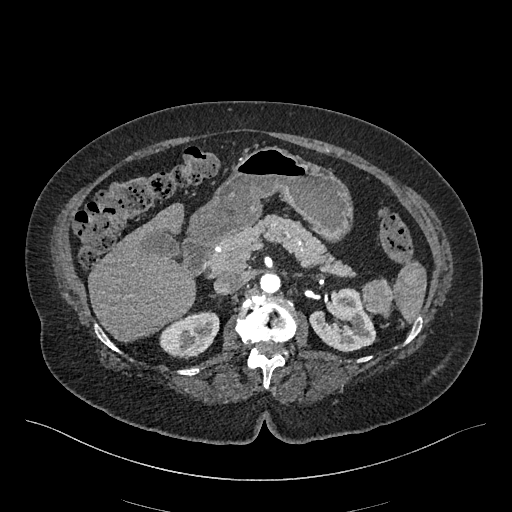
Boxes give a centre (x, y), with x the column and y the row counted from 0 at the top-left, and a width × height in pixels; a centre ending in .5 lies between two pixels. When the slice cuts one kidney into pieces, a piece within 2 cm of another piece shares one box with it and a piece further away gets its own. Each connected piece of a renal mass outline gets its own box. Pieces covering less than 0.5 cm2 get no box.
Slice 293/548 of a contrast-enhanced abdominal CT in the arterial phase, counting up from the lowest; pixel size 0.852 mm, slice thickness 1.00 mm. Boxed on this slice (two kidney boxes and one renal mass box), listed by box centre from the image's left to its right: (1) Right kidney, box centre (189, 334.5), 61 × 50 pixels (outlined area 2,082 px, about 15.1 cm2). (2) Box centre (342.5, 319.5), 68 × 66 pixels: left kidney (outlined area 2,885 px, about 20.9 cm2). (3) Left renal mass, box centre (376.5, 296.5), 34 × 38 pixels (outlined area 989 px, about 7.2 cm2).
Tube voltage 120 kVp; convolution kernel I26f.